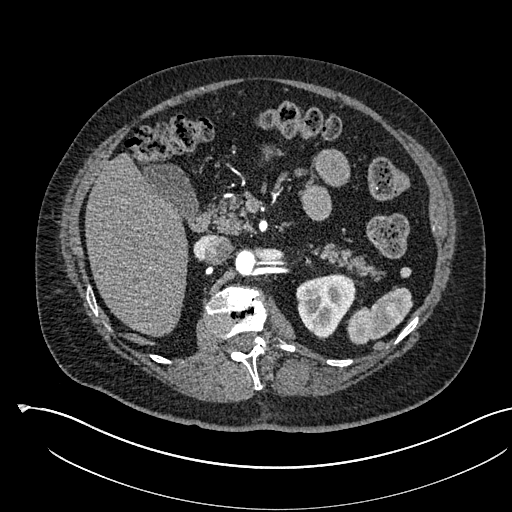
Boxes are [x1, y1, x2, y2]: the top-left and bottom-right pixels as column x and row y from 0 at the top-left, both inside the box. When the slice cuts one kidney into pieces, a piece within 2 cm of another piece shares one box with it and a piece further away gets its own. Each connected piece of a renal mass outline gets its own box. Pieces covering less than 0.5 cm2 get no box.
Arterial-phase contrast-enhanced abdominal CT, axial slice 364 of 541 (counted from the lowest slice); 1.00 mm thick, 0.834 mm per pixel. Left kidney, box [296, 273, 355, 339] (outlined area 2,849 px, about 19.8 cm2). No renal mass is outlined on this slice.
Scan settings: 120 kVp, I30f reconstruction kernel.